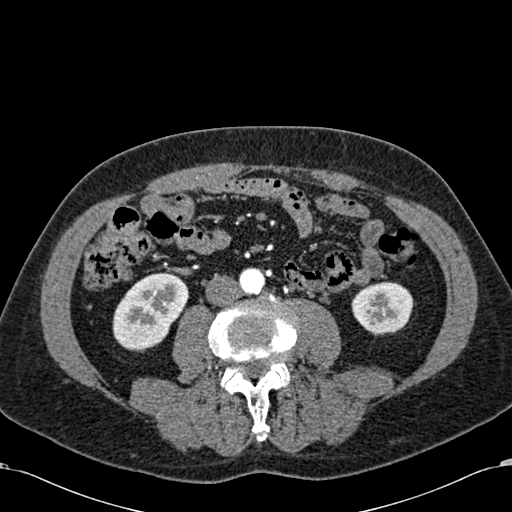
Abdominal CT with intravenous contrast, arterial phase, axial plane, 120 kVp, kernel B30f. Slice 241/581 from the bottom of the scan; thickness 1.00 mm; pixel size 0.713 mm.
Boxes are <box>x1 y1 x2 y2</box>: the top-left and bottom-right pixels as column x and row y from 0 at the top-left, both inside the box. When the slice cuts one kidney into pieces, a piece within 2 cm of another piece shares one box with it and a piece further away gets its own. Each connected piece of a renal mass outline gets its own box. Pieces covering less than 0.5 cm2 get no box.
Boxed on this slice (two kidney boxes), listed by box centre from the image's left to its right: (1) At <box>112 271 188 352</box>: right kidney (outlined area 4,251 px, about 21.6 cm2). (2) Left kidney: <box>351 281 413 334</box> (outlined area 2,592 px, about 13.2 cm2). This slice carries no renal mass outline.